Axial slice 53 of 304 of a contrast-enhanced abdominal CT in the arterial phase (slice 1 is the lowest), 100 kVp, kernel I30f; 2.00 mm slice thickness and 0.809 mm pixels.
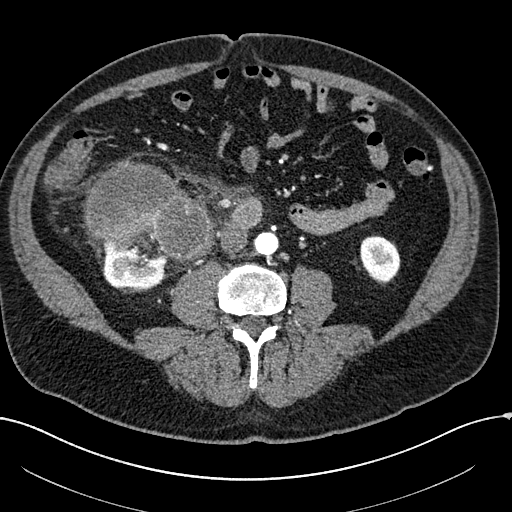
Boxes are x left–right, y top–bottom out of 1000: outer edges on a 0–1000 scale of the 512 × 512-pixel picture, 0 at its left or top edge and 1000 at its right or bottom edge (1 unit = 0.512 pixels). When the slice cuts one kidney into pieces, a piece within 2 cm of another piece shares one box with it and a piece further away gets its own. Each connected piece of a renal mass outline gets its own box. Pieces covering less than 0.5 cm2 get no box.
Two kidney boxes and one renal mass box on this slice; by box centre, from the image's left to its right: (1) Box x 195–330, y 455–566 out of 1000: right kidney (outlined area 2,882 px, about 18.8 cm2). (2) Right renal mass at x 164–422, y 314–512 out of 1000 (outlined area 8,787 px, about 57.5 cm2). (3) Left kidney at x 703–783, y 459–559 out of 1000 (outlined area 1,533 px, about 10.0 cm2).